Arterial-phase contrast-enhanced abdominal CT, axial slice 41 of 96 (counted from the lowest slice); tube voltage 130 kVp, convolution kernel B30s; slices 3.00 mm thick, 0.781 mm per pixel.
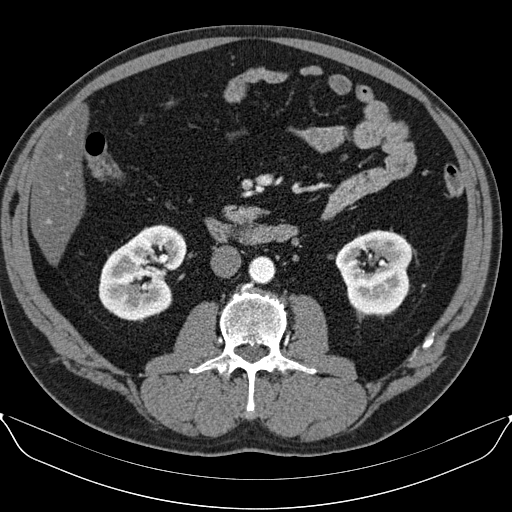
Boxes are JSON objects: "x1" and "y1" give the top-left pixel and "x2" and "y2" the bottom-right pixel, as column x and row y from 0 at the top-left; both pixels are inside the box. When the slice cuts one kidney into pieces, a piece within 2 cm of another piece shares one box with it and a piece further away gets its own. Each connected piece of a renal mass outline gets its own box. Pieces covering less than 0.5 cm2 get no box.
Boxed on this slice (two kidney boxes), listed by box centre from the image's left to its right: (1) Right kidney, box {"x1": 98, "y1": 224, "x2": 186, "y2": 321} (outlined area 5,899 px, about 36.0 cm2). (2) Box {"x1": 335, "y1": 230, "x2": 412, "y2": 315}: left kidney (outlined area 4,904 px, about 29.9 cm2).